Abdominal CT with intravenous contrast, axial plane, 120 kVp, kernel B31f. Slice 10/43 from the bottom of the scan; thickness 5.00 mm; pixel size 0.701 mm.
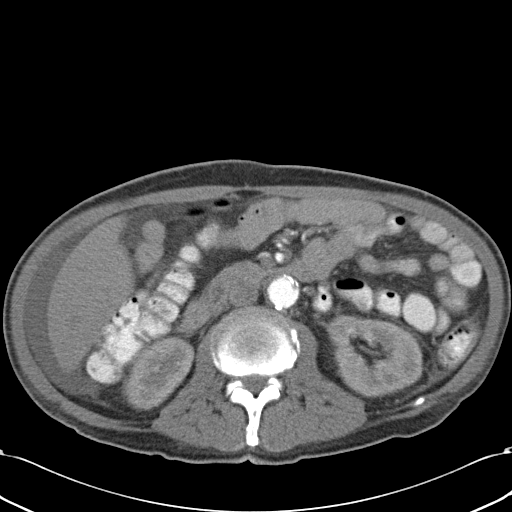
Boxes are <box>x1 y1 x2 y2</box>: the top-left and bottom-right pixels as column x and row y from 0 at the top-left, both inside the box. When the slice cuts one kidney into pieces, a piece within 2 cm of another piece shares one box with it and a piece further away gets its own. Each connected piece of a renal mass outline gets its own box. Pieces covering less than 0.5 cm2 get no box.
Boxed on this slice (two kidney boxes), listed by box centre from the image's left to its right: (1) Right kidney at <box>121 335 194 410</box> (outlined area 3,664 px, about 18.0 cm2). (2) At <box>324 312 423 397</box>: left kidney (outlined area 6,084 px, about 29.9 cm2). No renal mass is outlined on this slice.